Axial slice 132 of 206 of a contrast-enhanced abdominal CT (slice 1 is the lowest), 120 kVp, kernel STANDARD; 2.50 mm slice thickness and 0.879 mm pixels.
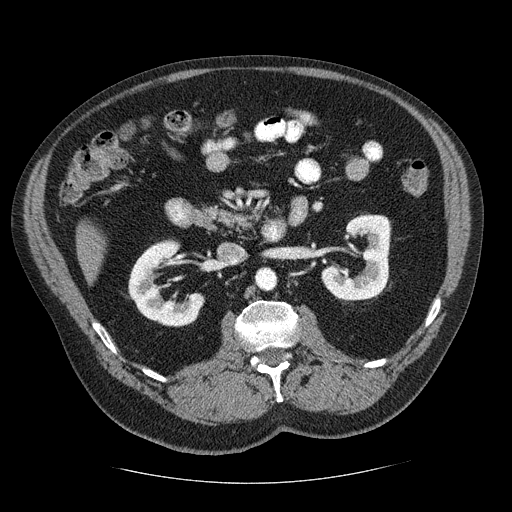
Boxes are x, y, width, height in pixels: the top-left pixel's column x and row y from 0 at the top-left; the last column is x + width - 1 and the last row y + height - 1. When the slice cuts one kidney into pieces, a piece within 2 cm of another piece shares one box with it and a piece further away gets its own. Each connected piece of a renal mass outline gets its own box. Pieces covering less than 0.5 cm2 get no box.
Boxed on this slice (two kidney boxes), listed by box centre from the image's left to its right: (1) Right kidney at x 128, y 239, width 77, height 89 (outlined area 3,984 px, about 30.8 cm2). (2) Box x 320, y 213, width 72, height 90: left kidney (outlined area 4,061 px, about 31.4 cm2). This slice carries no renal mass outline.